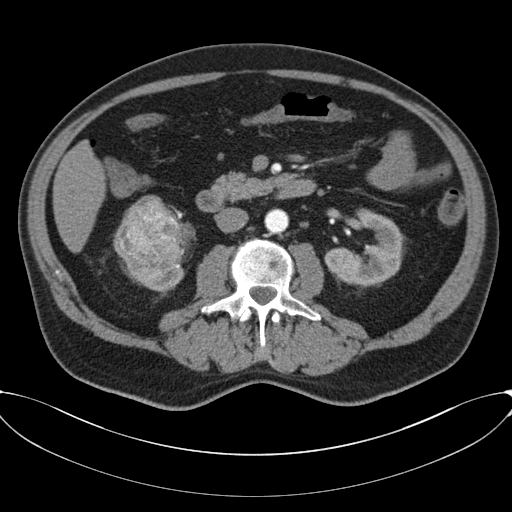
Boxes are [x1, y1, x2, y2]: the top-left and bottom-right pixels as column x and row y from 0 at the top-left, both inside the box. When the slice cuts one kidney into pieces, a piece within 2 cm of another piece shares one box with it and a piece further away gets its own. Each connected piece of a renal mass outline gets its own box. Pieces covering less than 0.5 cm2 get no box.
This is axial slice 31 of 80 (slice 1 is the lowest) of an abdominal CT with contrast; each pixel is 0.822 mm and the slice is 3.00 mm thick. Two kidney boxes and one renal mass box on this slice; by box centre, from the image's left to its right: (1) Box [113, 224, 184, 292]: right kidney (outlined area 713 px, about 4.8 cm2). (2) Right renal mass at [121, 198, 195, 284] (outlined area 4,472 px, about 30.2 cm2). (3) Left kidney, box [325, 209, 404, 288] (outlined area 3,867 px, about 26.1 cm2).
Tube voltage 120 kVp; convolution kernel B30f.